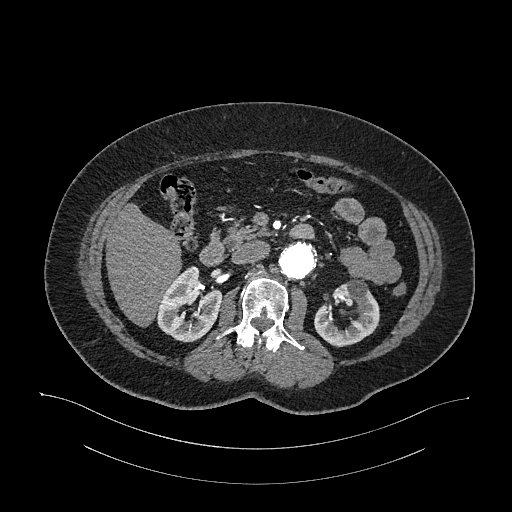
Abdominal CT with intravenous contrast, arterial phase, axial plane, 120 kVp, kernel I26f. Slice 657/987 from the bottom of the scan; thickness 1.00 mm; pixel size 0.977 mm.
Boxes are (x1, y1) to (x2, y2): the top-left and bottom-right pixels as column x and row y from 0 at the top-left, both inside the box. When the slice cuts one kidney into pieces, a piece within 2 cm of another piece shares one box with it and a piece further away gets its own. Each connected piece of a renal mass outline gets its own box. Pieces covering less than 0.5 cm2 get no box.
Two kidney boxes on this slice; by box centre, from the image's left to its right: (1) Right kidney from (156, 266) to (221, 342) (outlined area 3,316 px, about 31.6 cm2). (2) Left kidney, box (314, 279) to (379, 347) (outlined area 2,850 px, about 27.2 cm2). This slice carries no renal mass outline.